One axial slice (75 of 92, counting up from the lowest) of a contrast-enhanced abdominal CT acquired with 100 kVp, kernel I41f; each pixel is 0.684 mm and the slice is 3.00 mm thick.
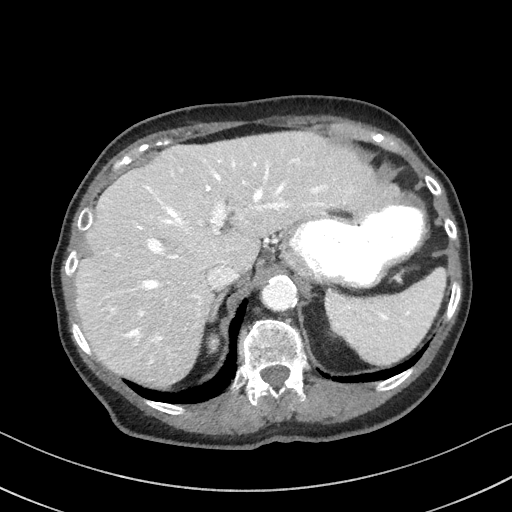
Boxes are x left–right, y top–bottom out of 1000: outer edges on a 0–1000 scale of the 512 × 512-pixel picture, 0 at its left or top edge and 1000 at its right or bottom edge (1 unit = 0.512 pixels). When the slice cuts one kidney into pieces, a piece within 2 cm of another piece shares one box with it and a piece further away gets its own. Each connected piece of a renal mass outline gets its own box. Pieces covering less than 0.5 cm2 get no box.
Right kidney, box x 398–432, y 643–693 out of 1000 (outlined area 289 px, about 1.4 cm2). No renal mass outline on this slice.